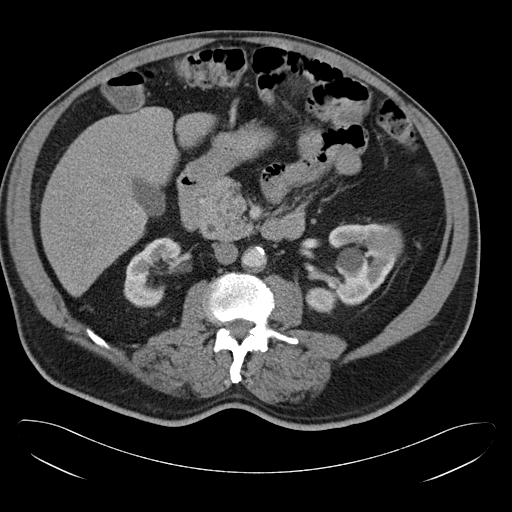
Axial slice 17 of 34 of a contrast-enhanced abdominal CT in the arterial phase (slice 1 is the lowest), 120 kVp, kernel B30f; 5.00 mm slice thickness and 0.830 mm pixels.
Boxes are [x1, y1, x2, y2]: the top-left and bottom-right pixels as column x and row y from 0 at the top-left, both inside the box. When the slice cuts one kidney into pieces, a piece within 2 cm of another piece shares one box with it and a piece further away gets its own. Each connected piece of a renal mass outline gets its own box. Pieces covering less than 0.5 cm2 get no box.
Three boxes on this slice (two kidney boxes and one renal mass box), listed by box centre from the image's left to its right. (1) Box [123, 237, 181, 307]: right kidney (outlined area 2,542 px, about 17.5 cm2). (2) Left kidney, box [304, 223, 399, 313] (outlined area 4,366 px, about 30.1 cm2). (3) Box [366, 224, 403, 257]: left renal mass (outlined area 990 px, about 6.8 cm2).